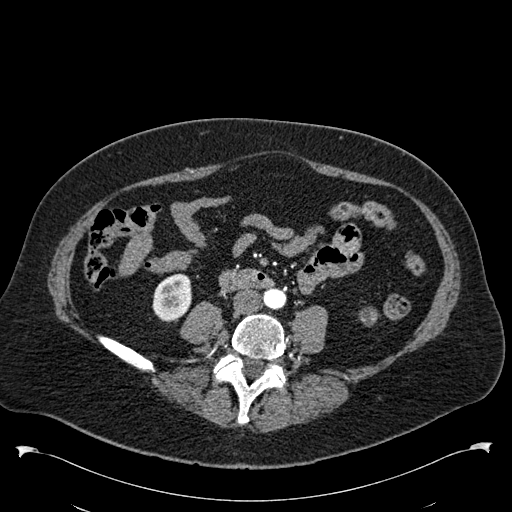
Axial slice 211 of 538 of a contrast-enhanced abdominal CT in the arterial phase (slice 1 is the lowest), 120 kVp, kernel B30f; 1.00 mm slice thickness and 0.811 mm pixels.
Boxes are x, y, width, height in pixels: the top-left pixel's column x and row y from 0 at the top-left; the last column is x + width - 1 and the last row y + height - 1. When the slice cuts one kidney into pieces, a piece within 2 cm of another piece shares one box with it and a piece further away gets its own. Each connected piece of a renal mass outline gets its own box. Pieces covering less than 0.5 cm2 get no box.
Boxed on this slice (one kidney box and one renal mass box), listed by box centre from the image's left to its right: (1) Right kidney, box x 152, y 273, width 40, height 50 (outlined area 1,534 px, about 10.1 cm2). (2) Left renal mass at x 359, y 307, width 20, height 20 (outlined area 287 px, about 1.9 cm2); on this slice it lies more than 1 cm from any kidney outline, but the same outlined renal mass comes within 1 cm of the kidney on another slice.